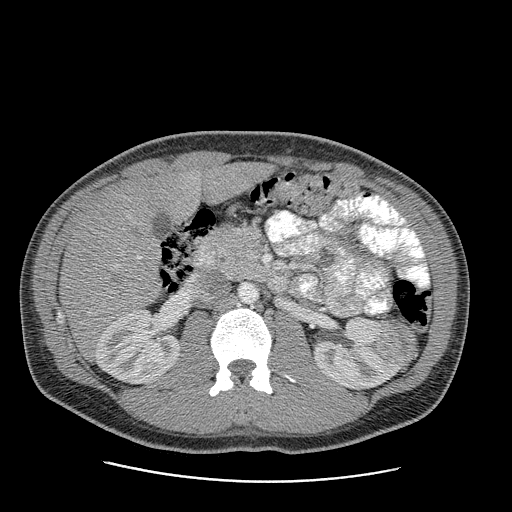
Axial slice 149 of 199 of a contrast-enhanced abdominal CT in the arterial phase (slice 1 is the lowest), 120 kVp, kernel STANDARD; 2.50 mm slice thickness and 0.789 mm pixels.
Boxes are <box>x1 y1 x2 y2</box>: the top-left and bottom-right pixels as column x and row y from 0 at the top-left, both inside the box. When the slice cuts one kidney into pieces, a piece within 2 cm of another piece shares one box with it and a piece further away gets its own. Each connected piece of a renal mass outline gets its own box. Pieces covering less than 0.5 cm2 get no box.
Boxed on this slice (two kidney boxes and one renal mass box), listed by box centre from the image's left to its right: (1) At <box>96 309 178 384</box>: right kidney (outlined area 4,706 px, about 29.3 cm2). (2) At <box>313 316 402 390</box>: left kidney (outlined area 4,224 px, about 26.3 cm2). (3) Left renal mass at <box>376 318 417 367</box> (outlined area 1,527 px, about 9.5 cm2).